One axial slice (382 of 719, counting up from the lowest) of an arterial-phase abdominal CT acquired with 120 kVp, kernel B20f; each pixel is 0.766 mm and the slice is 1.00 mm thick.
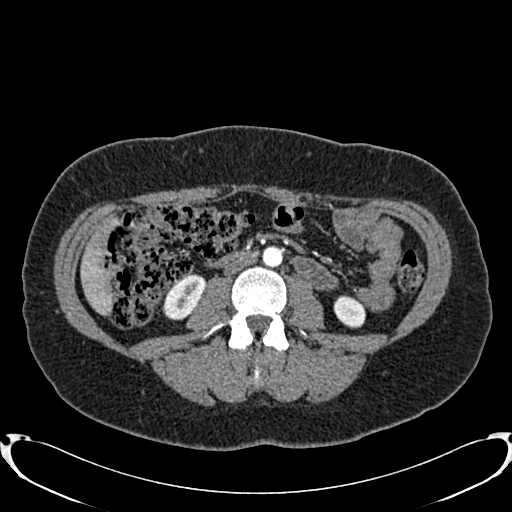
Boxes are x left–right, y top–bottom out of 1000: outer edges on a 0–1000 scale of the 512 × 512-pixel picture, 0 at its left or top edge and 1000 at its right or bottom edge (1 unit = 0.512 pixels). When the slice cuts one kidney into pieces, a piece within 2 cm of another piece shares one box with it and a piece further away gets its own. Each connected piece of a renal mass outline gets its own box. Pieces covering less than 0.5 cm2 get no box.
Two kidney boxes on this slice; by box centre, from the image's left to its right: (1) Right kidney at x 316–400, y 533–627 out of 1000 (outlined area 1,341 px, about 7.9 cm2). (2) Left kidney at x 650–715, y 576–643 out of 1000 (outlined area 822 px, about 4.8 cm2). No renal mass outline on this slice.